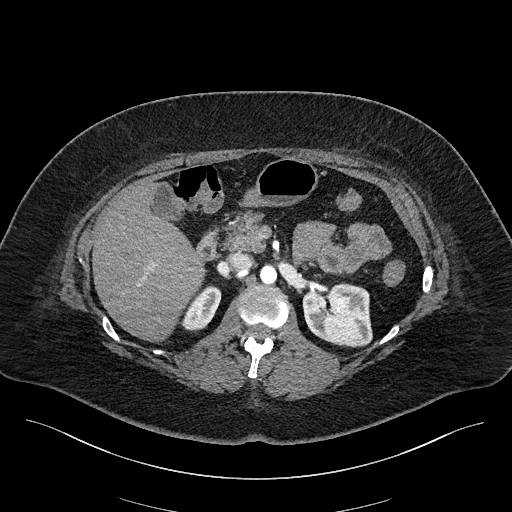
Arterial-phase contrast-enhanced abdominal CT, axial slice 125 of 270 (counted from the lowest slice); tube voltage 100 kVp, convolution kernel I40f; slices 2.00 mm thick, 0.855 mm per pixel.
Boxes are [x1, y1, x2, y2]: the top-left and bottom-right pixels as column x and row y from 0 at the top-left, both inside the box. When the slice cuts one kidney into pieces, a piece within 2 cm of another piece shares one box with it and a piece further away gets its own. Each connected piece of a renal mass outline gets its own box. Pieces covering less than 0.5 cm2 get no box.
Boxed on this slice (two kidney boxes), listed by box centre from the image's left to its right: (1) Box [181, 285, 221, 331]: right kidney (outlined area 1,171 px, about 8.6 cm2). (2) Left kidney, box [302, 283, 372, 347] (outlined area 3,672 px, about 26.9 cm2). No renal mass is outlined on this slice.